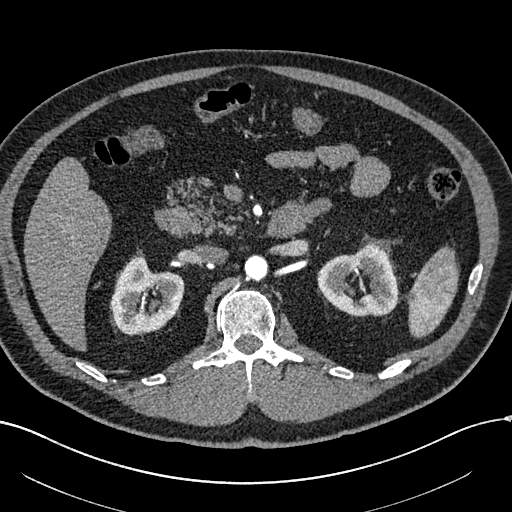
Arterial-phase contrast-enhanced abdominal CT, axial slice 374 of 602 (counted from the lowest slice); tube voltage 120 kVp, convolution kernel I30f; slices 1.00 mm thick, 0.799 mm per pixel.
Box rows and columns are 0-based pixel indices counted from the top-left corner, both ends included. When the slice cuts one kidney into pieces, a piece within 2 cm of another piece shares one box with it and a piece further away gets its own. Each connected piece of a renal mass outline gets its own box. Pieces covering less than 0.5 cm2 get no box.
Two kidney boxes on this slice; by box centre, from the image's left to its right: (1) Box rows 252–334, columns 110–184: right kidney (outlined area 4,156 px, about 26.5 cm2). (2) Left kidney at rows 243–316, columns 317–397 (outlined area 4,229 px, about 27.0 cm2). This slice carries no renal mass outline.